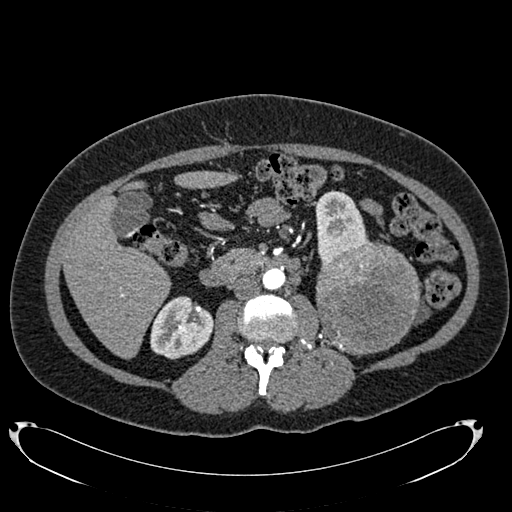
Abdominal CT with intravenous contrast, arterial phase, axial plane, 120 kVp, kernel B20f. Slice 398/634 from the bottom of the scan; thickness 1.00 mm; pixel size 0.838 mm.
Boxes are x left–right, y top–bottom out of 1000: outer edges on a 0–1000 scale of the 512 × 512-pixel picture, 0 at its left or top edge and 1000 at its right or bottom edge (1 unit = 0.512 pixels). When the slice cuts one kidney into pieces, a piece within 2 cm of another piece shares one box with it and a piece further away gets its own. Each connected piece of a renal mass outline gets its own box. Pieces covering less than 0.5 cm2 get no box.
Two kidney boxes and one renal mass box on this slice; by box centre, from the image's left to its right: (1) Box x 293–418, y 578–703 out of 1000: right kidney (outlined area 3,001 px, about 21.1 cm2). (2) Left kidney, box x 615–725, y 371–520 out of 1000 (outlined area 2,638 px, about 18.5 cm2). (3) Left renal mass at x 615–820, y 471–699 out of 1000 (outlined area 9,464 px, about 66.4 cm2).